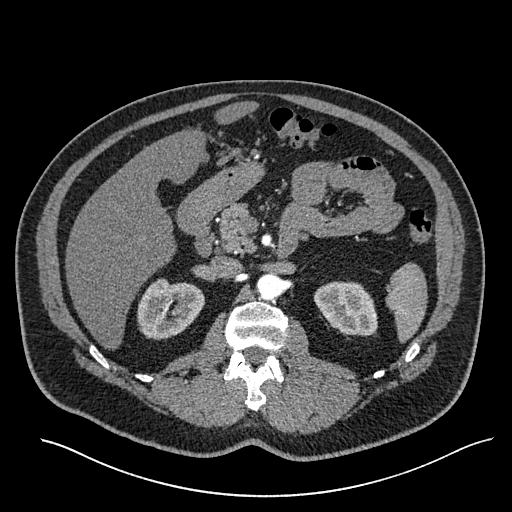
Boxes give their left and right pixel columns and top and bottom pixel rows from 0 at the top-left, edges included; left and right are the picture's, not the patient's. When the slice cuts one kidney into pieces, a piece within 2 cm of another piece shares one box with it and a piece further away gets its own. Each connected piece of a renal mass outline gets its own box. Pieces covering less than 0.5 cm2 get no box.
This is axial slice 366 of 527 (slice 1 is the lowest) of an arterial-phase abdominal CT with contrast; each pixel is 0.859 mm and the slice is 1.00 mm thick. Two kidney boxes on this slice; by box centre, from the image's left to its right: (1) Right kidney in the box with left 137, top 278, right 204, bottom 340 (outlined area 3,099 px, about 22.9 cm2). (2) Left kidney in the box with left 313, top 281, right 377, bottom 336 (outlined area 2,694 px, about 19.9 cm2). This slice carries no renal mass outline.
Tube voltage 120 kVp; convolution kernel I30f.